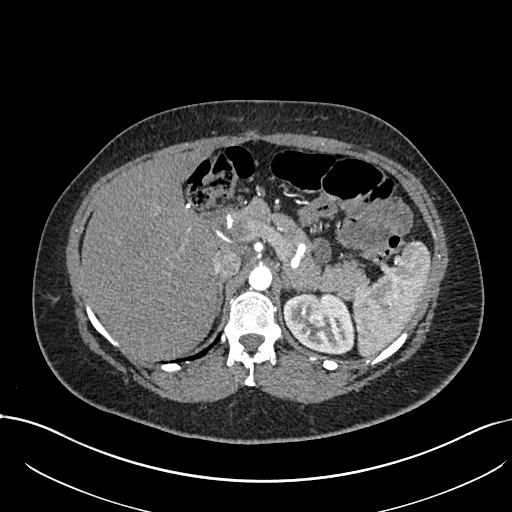
Arterial-phase contrast-enhanced abdominal CT, axial slice 527 of 738 (counted from the lowest slice); tube voltage 120 kVp, convolution kernel I30f; slices 1.00 mm thick, 0.789 mm per pixel.
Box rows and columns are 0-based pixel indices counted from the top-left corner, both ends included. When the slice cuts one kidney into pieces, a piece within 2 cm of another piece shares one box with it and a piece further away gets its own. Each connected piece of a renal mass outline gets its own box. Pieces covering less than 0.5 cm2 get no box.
Two boxes on this slice (one kidney box and one renal mass box), listed by box centre from the image's left to its right. (1) Box rows 299–323, columns 307–326: left renal mass (outlined area 374 px, about 2.3 cm2). (2) Left kidney at rows 292–354, columns 282–354 (outlined area 3,182 px, about 19.8 cm2).